Arterial-phase contrast-enhanced abdominal CT, axial slice 116 of 195 (counted from the lowest slice); tube voltage 100 kVp, convolution kernel I31f; slices 1.50 mm thick, 0.707 mm per pixel.
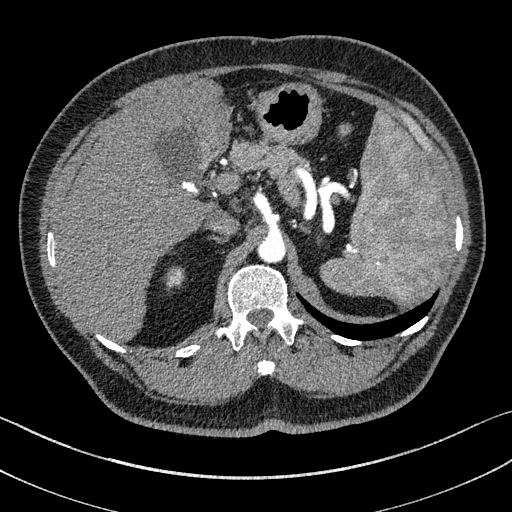
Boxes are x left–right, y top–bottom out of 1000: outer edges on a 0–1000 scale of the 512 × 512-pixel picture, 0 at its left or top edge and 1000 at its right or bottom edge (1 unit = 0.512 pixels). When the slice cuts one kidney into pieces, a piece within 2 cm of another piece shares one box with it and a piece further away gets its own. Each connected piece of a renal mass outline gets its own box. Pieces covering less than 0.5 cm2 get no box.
Right kidney, box x 324–359, y 521–563 out of 1000 (outlined area 297 px, about 1.5 cm2). This slice carries no renal mass outline.